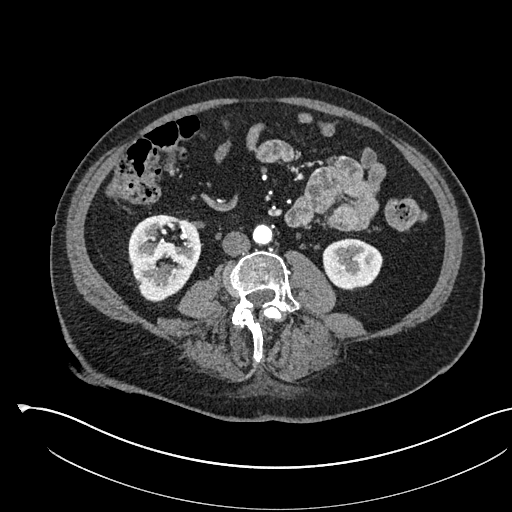
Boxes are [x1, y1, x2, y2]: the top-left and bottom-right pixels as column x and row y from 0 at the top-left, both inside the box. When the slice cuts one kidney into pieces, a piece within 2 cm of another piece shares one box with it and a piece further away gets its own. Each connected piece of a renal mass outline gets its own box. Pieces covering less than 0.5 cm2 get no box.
Arterial-phase contrast-enhanced abdominal CT, axial slice 245 of 541 (counted from the lowest slice); 1.00 mm thick, 0.834 mm per pixel. Two boxes on this slice (two kidney boxes), listed by box centre from the image's left to its right. (1) Box [128, 214, 200, 301]: right kidney (outlined area 4,750 px, about 33.0 cm2). (2) Box [322, 238, 382, 290]: left kidney (outlined area 2,468 px, about 17.2 cm2). This slice carries no renal mass outline.
Scan settings: 120 kVp, I30f reconstruction kernel.